Abdominal CT with intravenous contrast, axial plane, 120 kVp, kernel STANDARD. Slice 63/103 from the bottom of the scan; thickness 2.50 mm; pixel size 0.736 mm.
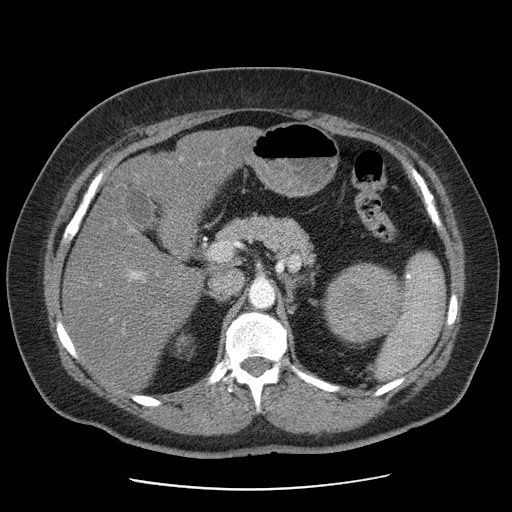
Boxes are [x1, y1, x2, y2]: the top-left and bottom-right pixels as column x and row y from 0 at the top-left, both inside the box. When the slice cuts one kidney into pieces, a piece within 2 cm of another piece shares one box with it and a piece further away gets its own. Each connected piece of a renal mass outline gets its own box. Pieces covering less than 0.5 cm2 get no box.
Two boxes on this slice (one kidney box and one renal mass box), listed by box centre from the image's left to its right. (1) Right kidney at [176, 334, 191, 352] (outlined area 201 px, about 1.1 cm2). (2) Left renal mass, box [322, 262, 401, 346] (outlined area 5,028 px, about 27.3 cm2); it sits over 1 cm from every kidney outline on this slice, but the same outlined renal mass comes within 1 cm of the kidney on another slice.